Axial slice 154 of 548 of a contrast-enhanced abdominal CT in the arterial phase (slice 1 is the lowest), 120 kVp, kernel I26f; 1.00 mm slice thickness and 0.852 mm pixels.
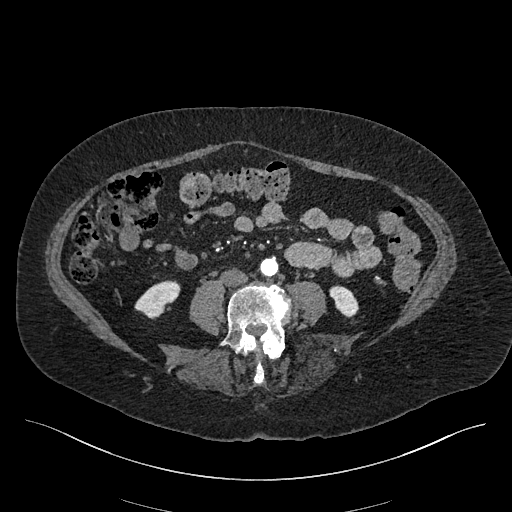
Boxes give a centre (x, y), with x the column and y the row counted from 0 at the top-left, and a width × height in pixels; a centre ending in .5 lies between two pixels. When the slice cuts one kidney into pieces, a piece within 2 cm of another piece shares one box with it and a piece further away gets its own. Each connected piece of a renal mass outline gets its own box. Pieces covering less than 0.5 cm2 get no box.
Boxed on this slice (two kidney boxes), listed by box centre from the image's left to its right: (1) Right kidney in a box with centre (157, 299), 47 × 39 pixels (outlined area 1,087 px, about 7.9 cm2). (2) Left kidney, box centre (343.5, 301), 30 × 33 pixels (outlined area 642 px, about 4.7 cm2). No renal mass outline on this slice.